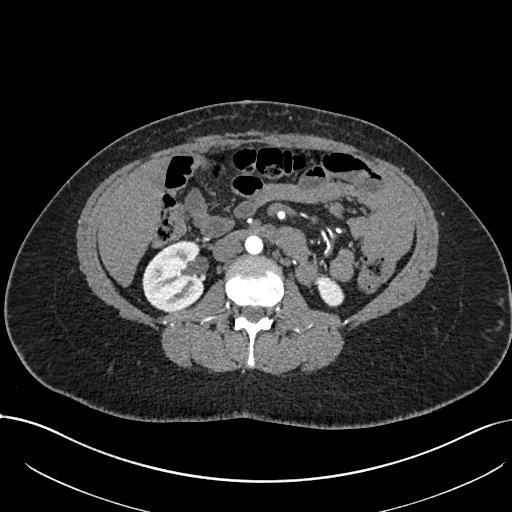
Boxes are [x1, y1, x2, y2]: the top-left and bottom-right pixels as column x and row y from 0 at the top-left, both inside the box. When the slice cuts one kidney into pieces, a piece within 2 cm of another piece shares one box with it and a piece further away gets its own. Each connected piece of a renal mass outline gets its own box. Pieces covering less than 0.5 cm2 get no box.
Slice 387/738 of a contrast-enhanced abdominal CT in the arterial phase, counting up from the lowest; pixel size 0.789 mm, slice thickness 1.00 mm. Two boxes on this slice (two kidney boxes), listed by box centre from the image's left to its right. (1) Box [142, 240, 204, 311]: right kidney (outlined area 3,472 px, about 21.6 cm2). (2) Box [316, 276, 344, 307]: left kidney (outlined area 631 px, about 3.9 cm2). No renal mass is outlined on this slice.
Scan settings: 120 kVp, I30f reconstruction kernel.